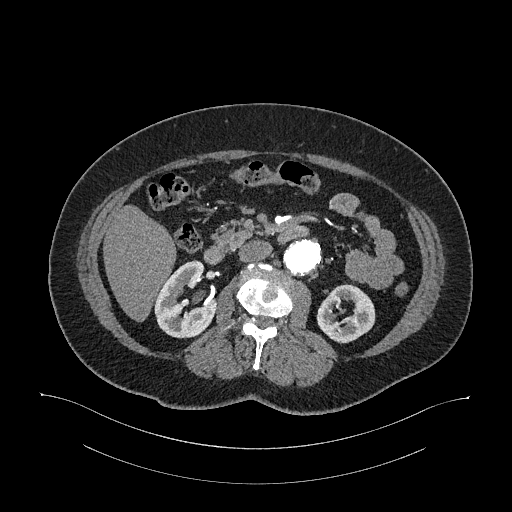
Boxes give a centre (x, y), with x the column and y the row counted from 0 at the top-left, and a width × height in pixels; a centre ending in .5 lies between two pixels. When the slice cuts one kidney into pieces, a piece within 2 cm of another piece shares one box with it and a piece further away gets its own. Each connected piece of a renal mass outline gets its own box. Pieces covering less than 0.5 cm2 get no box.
Slice 635/987 of a contrast-enhanced abdominal CT in the arterial phase, counting up from the lowest; pixel size 0.977 mm, slice thickness 1.00 mm. Two kidney boxes on this slice; by box centre, from the image's left to its right: (1) Right kidney, box centre (184.5, 299), 64 × 79 pixels (outlined area 3,310 px, about 31.6 cm2). (2) Left kidney in a box with centre (345.5, 313.5), 60 × 60 pixels (outlined area 2,437 px, about 23.2 cm2). No renal mass is outlined on this slice.
Scan settings: 120 kVp, I26f reconstruction kernel.